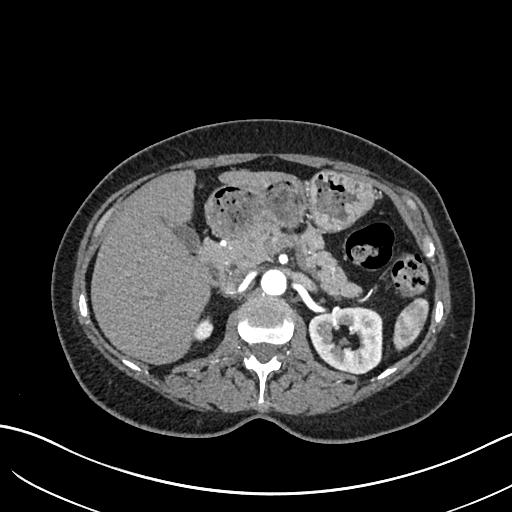
Abdominal CT with intravenous contrast, arterial phase, axial plane, 120 kVp, kernel I30f. Slice 421/683 from the bottom of the scan; thickness 1.00 mm; pixel size 0.738 mm.
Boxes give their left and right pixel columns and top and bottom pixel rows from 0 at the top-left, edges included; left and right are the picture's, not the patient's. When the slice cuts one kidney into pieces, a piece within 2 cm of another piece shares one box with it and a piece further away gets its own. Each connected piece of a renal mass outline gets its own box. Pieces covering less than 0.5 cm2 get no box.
Two kidney boxes on this slice; by box centre, from the image's left to its right: (1) Right kidney in the box with left 195, top 316, right 213, bottom 341 (outlined area 347 px, about 1.9 cm2). (2) Left kidney in the box with left 308, top 306, right 382, bottom 374 (outlined area 3,804 px, about 20.7 cm2). No renal mass is outlined on this slice.